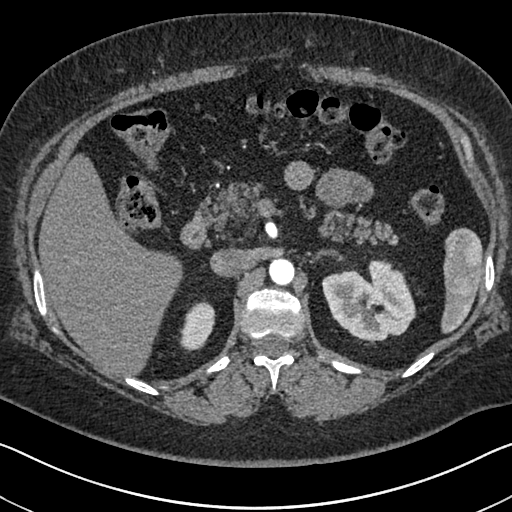
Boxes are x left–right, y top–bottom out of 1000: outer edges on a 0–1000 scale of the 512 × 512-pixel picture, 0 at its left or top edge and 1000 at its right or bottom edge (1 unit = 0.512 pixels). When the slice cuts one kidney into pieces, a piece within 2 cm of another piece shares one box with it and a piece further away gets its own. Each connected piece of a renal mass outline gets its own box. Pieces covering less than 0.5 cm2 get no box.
Slice 462/591 of a contrast-enhanced abdominal CT in the arterial phase, counting up from the lowest; pixel size 0.703 mm, slice thickness 1.00 mm. Boxed on this slice (two kidney boxes), listed by box centre from the image's left to its right: (1) Box x 350–422, y 586–688 out of 1000: right kidney (outlined area 1,300 px, about 6.4 cm2). (2) Left kidney at x 627–813, y 506–674 out of 1000 (outlined area 5,561 px, about 27.5 cm2). This slice carries no renal mass outline.
Scan settings: 140 kVp, I30f reconstruction kernel.